One axial slice (69 of 92, counting up from the lowest) of a contrast-enhanced abdominal CT acquired with 120 kVp, kernel B30f; each pixel is 0.918 mm and the slice is 5.00 mm thick.
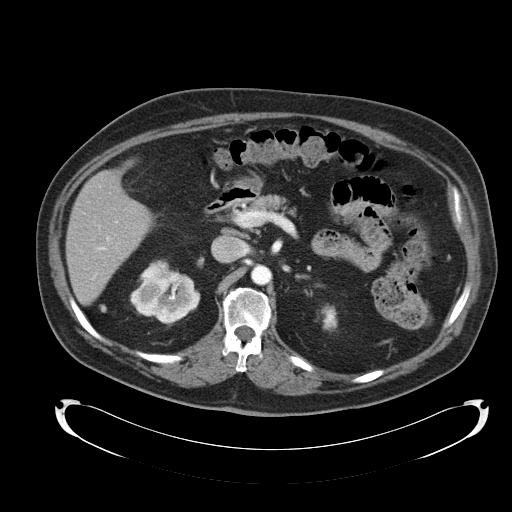
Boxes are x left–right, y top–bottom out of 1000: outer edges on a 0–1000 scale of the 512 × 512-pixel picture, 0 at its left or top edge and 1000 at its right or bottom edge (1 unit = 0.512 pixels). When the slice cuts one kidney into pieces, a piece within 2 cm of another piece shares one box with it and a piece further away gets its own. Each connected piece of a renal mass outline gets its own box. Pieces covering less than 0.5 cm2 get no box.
Two boxes on this slice (two kidney boxes), listed by box centre from the image's left to its right. (1) Right kidney, box x 254–393, y 506–641 out of 1000 (outlined area 3,123 px, about 26.3 cm2). (2) Left kidney at x 625–660, y 596–650 out of 1000 (outlined area 388 px, about 3.3 cm2). No renal mass outline on this slice.